One axial slice (301 of 591, counting up from the lowest) of an arterial-phase abdominal CT acquired with 140 kVp, kernel I30f; each pixel is 0.703 mm and the slice is 1.00 mm thick.
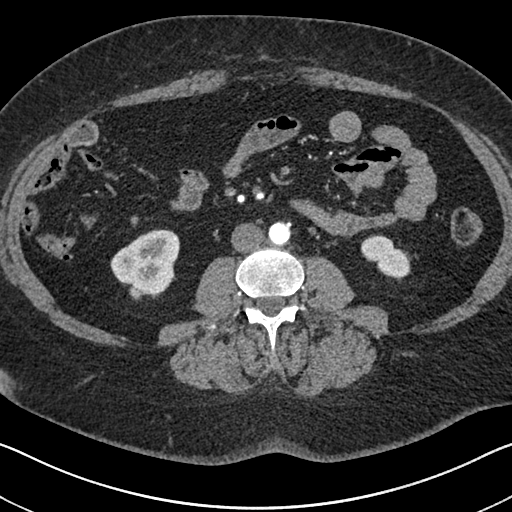
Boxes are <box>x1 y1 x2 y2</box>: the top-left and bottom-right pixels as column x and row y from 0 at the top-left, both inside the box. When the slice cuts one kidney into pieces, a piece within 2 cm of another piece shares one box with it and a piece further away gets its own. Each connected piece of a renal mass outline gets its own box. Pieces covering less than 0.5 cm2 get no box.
Boxed on this slice (two kidney boxes), listed by box centre from the image's left to its right: (1) Right kidney at <box>110 229 179 300</box> (outlined area 3,465 px, about 17.1 cm2). (2) Left kidney: <box>361 234 411 281</box> (outlined area 1,463 px, about 7.2 cm2). This slice carries no renal mass outline.